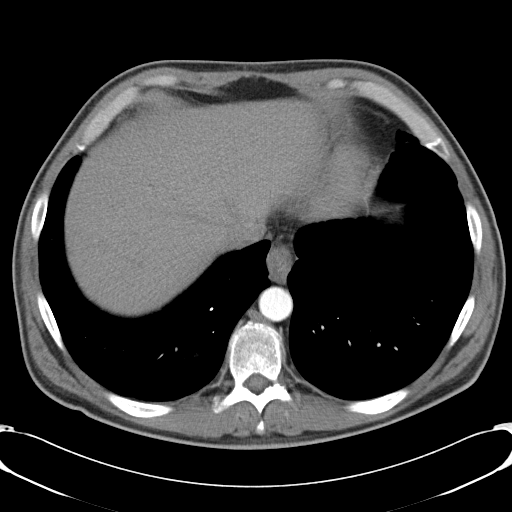
Abdominal CT with intravenous contrast, axial plane, 120 kVp, kernel B31f. Slice 48/57 from the bottom of the scan; thickness 5.00 mm; pixel size 0.732 mm.
Outside the outlined region: no kidney outline and no renal mass outline on this slice. The scan's outlines cover only kidneys and renal masses; no other organ is outlined.